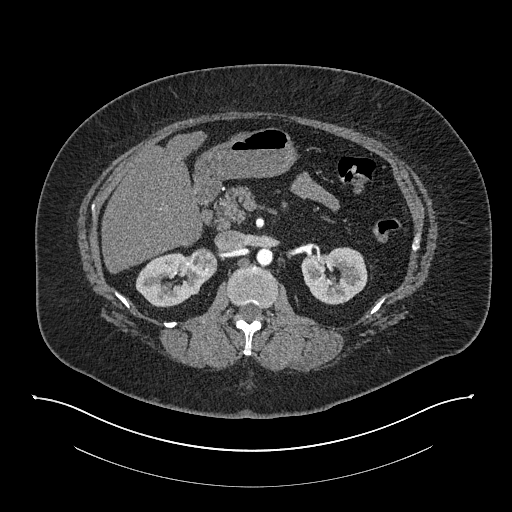
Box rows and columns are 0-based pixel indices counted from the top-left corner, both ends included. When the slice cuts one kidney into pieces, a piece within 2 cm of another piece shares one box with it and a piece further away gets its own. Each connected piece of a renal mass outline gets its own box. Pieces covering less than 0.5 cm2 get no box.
Arterial-phase contrast-enhanced abdominal CT, axial slice 501 of 673 (counted from the lowest slice); 1.00 mm thick, 0.957 mm per pixel. Three boxes on this slice (two kidney boxes and one renal mass box), listed by box centre from the image's left to its right. (1) Right kidney at rows 252–307, columns 135–210 (outlined area 2,632 px, about 24.1 cm2). (2) Box rows 248–276, columns 187–217: right renal mass (outlined area 680 px, about 6.2 cm2). (3) Left kidney, box rows 247–304, columns 301–367 (outlined area 2,892 px, about 26.5 cm2).
Tube voltage 140 kVp; convolution kernel I30f.